Abdominal CT with intravenous contrast, arterial phase, axial plane, 120 kVp, kernel I30f. Slice 366/735 from the bottom of the scan; thickness 1.00 mm; pixel size 0.789 mm.
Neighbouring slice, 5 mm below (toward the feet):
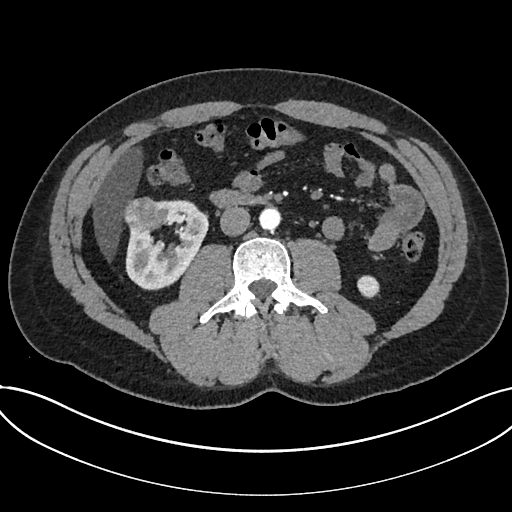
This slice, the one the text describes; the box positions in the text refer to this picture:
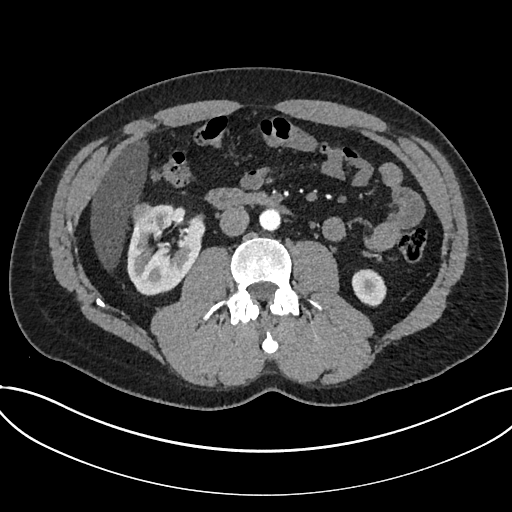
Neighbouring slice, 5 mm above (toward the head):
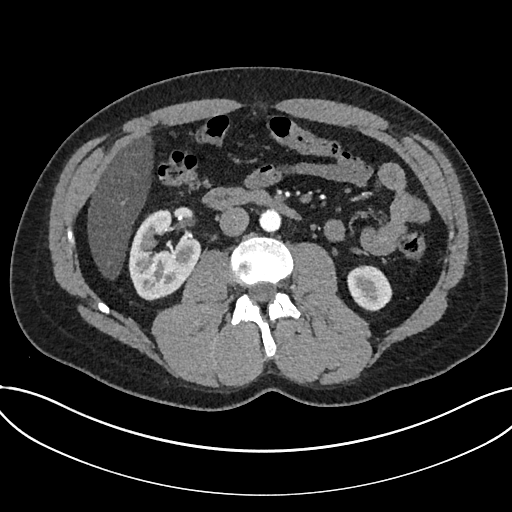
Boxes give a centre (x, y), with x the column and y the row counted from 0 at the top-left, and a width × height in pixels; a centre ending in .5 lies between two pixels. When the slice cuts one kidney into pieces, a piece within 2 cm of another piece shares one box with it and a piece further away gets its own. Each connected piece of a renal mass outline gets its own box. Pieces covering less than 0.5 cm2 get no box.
Two kidney boxes and one renal mass box on this slice; by box centre, from the image's left to its right: (1) Renal mass, box centre (143.5, 214), 26 × 25 pixels (outlined area 470 px, about 2.9 cm2). (2) Kidney, box centre (166, 249.5), 79 × 92 pixels (outlined area 4,809 px, about 29.9 cm2). (3) Kidney, box centre (368.5, 287.5), 36 × 38 pixels (outlined area 1,019 px, about 6.3 cm2). This slice is near the end of a renal mass toward the head, so the slices 5 mm below and 5 mm above it are shown as well; the boxes refer to this slice only.